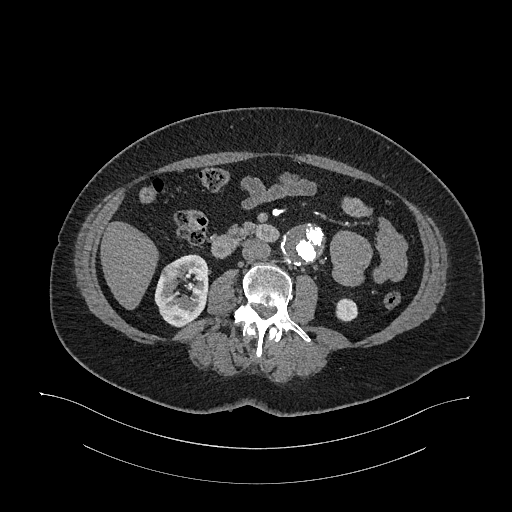
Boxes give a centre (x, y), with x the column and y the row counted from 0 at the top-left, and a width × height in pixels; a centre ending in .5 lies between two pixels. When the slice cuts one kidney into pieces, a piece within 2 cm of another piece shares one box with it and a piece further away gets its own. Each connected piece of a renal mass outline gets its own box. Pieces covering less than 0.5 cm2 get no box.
Arterial-phase contrast-enhanced abdominal CT, axial slice 584 of 987 (counted from the lowest slice); 1.00 mm thick, 0.977 mm per pixel. Three boxes on this slice (two kidney boxes and one renal mass box), listed by box centre from the image's left to its right. (1) Right renal mass in a box with centre (171, 271), 23 × 19 pixels (outlined area 288 px, about 2.7 cm2). (2) Right kidney in a box with centre (182, 290.5), 57 × 74 pixels (outlined area 2,711 px, about 25.9 cm2). (3) Box centre (346, 309.5), 23 × 24 pixels: left kidney (outlined area 437 px, about 4.2 cm2).
Tube voltage 120 kVp; convolution kernel I26f.